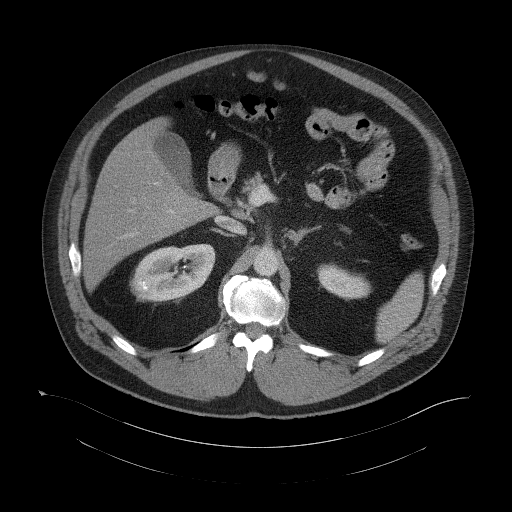
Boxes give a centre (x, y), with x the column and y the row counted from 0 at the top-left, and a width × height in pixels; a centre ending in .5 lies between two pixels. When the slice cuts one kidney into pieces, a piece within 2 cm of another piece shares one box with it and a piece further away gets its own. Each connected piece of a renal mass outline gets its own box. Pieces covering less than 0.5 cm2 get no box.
This is axial slice 74 of 104 (slice 1 is the lowest) of an abdominal CT with contrast; each pixel is 0.977 mm and the slice is 5.00 mm thick. Boxed on this slice (two kidney boxes and one renal mass box), listed by box centre from the image's left to its right: (1) Right renal mass in a box with centre (140, 284.5), 23 × 20 pixels (outlined area 337 px, about 3.2 cm2). (2) Right kidney in a box with centre (173.5, 272), 84 × 59 pixels (outlined area 3,411 px, about 32.5 cm2). (3) Box centre (344, 281.5), 55 × 38 pixels: left kidney (outlined area 1,359 px, about 13.0 cm2).
Tube voltage 120 kVp; convolution kernel B41f.